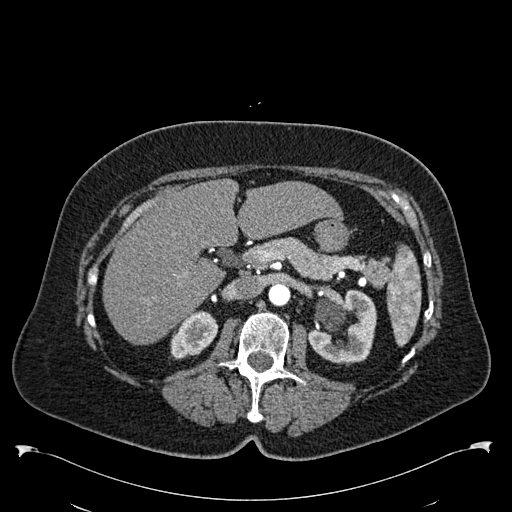
Axial slice 360 of 538 of a contrast-enhanced abdominal CT in the arterial phase (slice 1 is the lowest), 120 kVp, kernel B30f; 1.00 mm slice thickness and 0.811 mm pixels.
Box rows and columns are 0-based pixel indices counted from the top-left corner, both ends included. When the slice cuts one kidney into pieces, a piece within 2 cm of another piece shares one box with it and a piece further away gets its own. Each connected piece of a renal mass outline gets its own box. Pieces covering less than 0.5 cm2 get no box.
Two kidney boxes on this slice; by box centre, from the image's left to its right: (1) Right kidney, box rows 310–359, columns 170–218 (outlined area 1,632 px, about 10.7 cm2). (2) Left kidney at rows 289–363, columns 308–376 (outlined area 3,625 px, about 23.8 cm2). No renal mass is outlined on this slice.